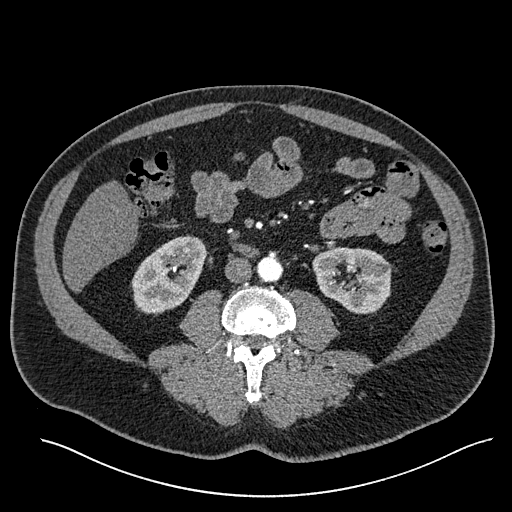
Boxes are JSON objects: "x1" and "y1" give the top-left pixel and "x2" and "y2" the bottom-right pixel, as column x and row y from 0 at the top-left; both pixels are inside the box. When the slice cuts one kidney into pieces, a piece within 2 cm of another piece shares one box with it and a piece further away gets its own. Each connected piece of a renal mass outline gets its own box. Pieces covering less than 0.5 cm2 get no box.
Arterial-phase contrast-enhanced abdominal CT, axial slice 247 of 527 (counted from the lowest slice); 1.00 mm thick, 0.859 mm per pixel. Two kidney boxes on this slice; by box centre, from the image's left to its right: (1) Right kidney at {"x1": 131, "y1": 235, "x2": 207, "y2": 313} (outlined area 4,083 px, about 30.2 cm2). (2) Left kidney at {"x1": 312, "y1": 247, "x2": 391, "y2": 314} (outlined area 4,024 px, about 29.7 cm2). No renal mass is outlined on this slice.
Acquired at 120 kVp and reconstructed with the I30f kernel.